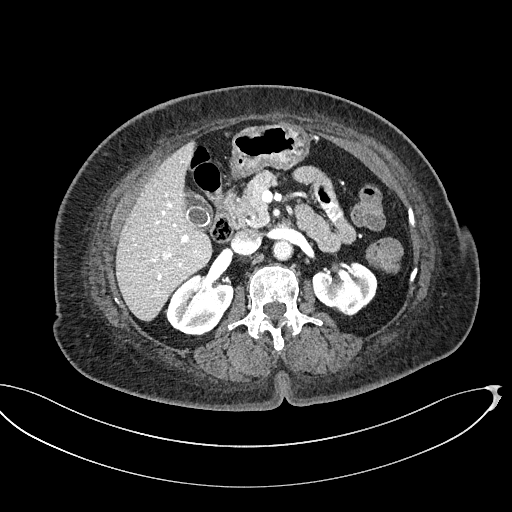
Contrast-enhanced abdominal CT, axial slice 309 of 439 (counted from the lowest slice); tube voltage 100 kVp, convolution kernel I40f; slices 2.00 mm thick, 0.850 mm per pixel.
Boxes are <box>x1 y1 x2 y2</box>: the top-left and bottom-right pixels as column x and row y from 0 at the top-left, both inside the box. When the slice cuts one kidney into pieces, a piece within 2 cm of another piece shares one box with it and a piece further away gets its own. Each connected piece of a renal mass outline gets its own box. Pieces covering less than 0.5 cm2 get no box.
Boxed on this slice (two kidney boxes), listed by box centre from the image's left to its right: (1) Right kidney at <box>167 273 233 335</box> (outlined area 3,004 px, about 21.7 cm2). (2) Left kidney at <box>312 262 377 316</box> (outlined area 2,580 px, about 18.6 cm2). No renal mass outline on this slice.